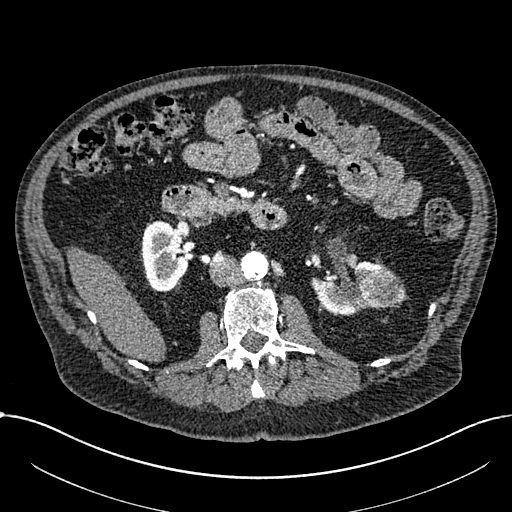
Axial slice 387 of 1059 of a contrast-enhanced abdominal CT in the arterial phase (slice 1 is the lowest), 100 kVp, kernel I30f; 1.00 mm slice thickness and 0.811 mm pixels.
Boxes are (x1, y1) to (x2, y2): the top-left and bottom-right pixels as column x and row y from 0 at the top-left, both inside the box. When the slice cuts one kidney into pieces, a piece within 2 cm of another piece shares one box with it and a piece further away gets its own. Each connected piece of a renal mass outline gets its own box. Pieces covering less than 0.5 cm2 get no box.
Boxed on this slice (two kidney boxes and one renal mass box), listed by box centre from the image's left to its right: (1) Box (140, 220) to (189, 291): right part of the midline-crossing kidney (outlined area 2,574 px, about 16.9 cm2). (2) Left part of the midline-crossing kidney, box (311, 260) to (389, 315) (outlined area 2,211 px, about 14.5 cm2). (3) Renal mass, box (359, 270) to (405, 309) (outlined area 1,448 px, about 9.5 cm2).